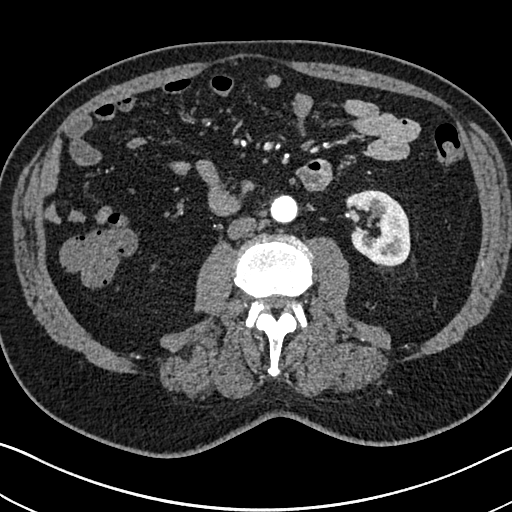
Abdominal CT with intravenous contrast, arterial phase, axial plane, 120 kVp, kernel I30f. Slice 334/705 from the bottom of the scan; thickness 1.00 mm; pixel size 0.703 mm.
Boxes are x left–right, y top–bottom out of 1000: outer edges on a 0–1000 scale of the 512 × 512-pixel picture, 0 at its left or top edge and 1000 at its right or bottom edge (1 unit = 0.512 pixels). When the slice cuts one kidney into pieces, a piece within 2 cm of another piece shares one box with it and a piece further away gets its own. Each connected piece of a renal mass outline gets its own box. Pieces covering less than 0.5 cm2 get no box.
Box x 674–803, y 371–521 out of 1000: left kidney (outlined area 3,675 px, about 18.2 cm2). No renal mass is outlined on this slice.